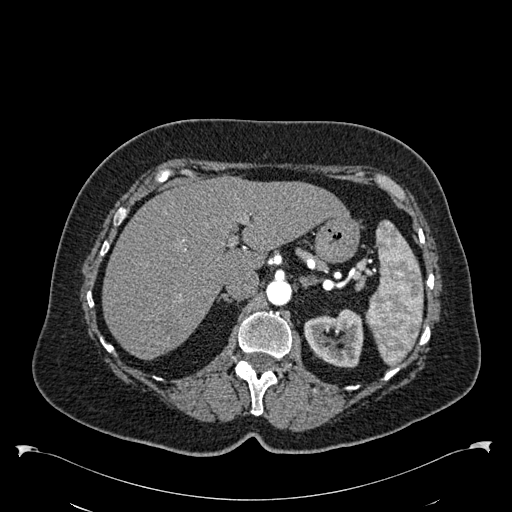
Axial slice 406 of 538 of a contrast-enhanced abdominal CT in the arterial phase (slice 1 is the lowest), 120 kVp, kernel B30f; 1.00 mm slice thickness and 0.811 mm pixels.
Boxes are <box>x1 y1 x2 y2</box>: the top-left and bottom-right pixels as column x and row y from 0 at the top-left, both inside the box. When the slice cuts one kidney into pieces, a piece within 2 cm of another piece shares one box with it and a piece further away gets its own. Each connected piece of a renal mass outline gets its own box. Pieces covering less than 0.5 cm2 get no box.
At <box>304 309 363 367</box>: left kidney (outlined area 2,564 px, about 16.8 cm2). No renal mass outline on this slice.